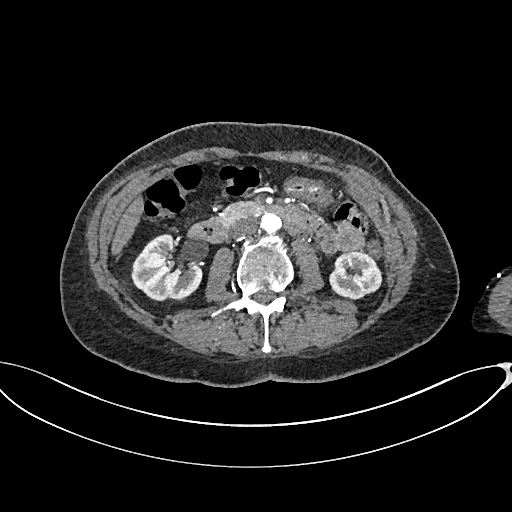
Arterial-phase contrast-enhanced abdominal CT, axial slice 359 of 665 (counted from the lowest slice); tube voltage 100 kVp, convolution kernel I26f; slices 1.00 mm thick, 0.828 mm per pixel.
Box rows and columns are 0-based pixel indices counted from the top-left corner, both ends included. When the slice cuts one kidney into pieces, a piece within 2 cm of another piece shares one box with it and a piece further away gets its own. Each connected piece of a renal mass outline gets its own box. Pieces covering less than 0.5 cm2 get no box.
Boxed on this slice (two kidney boxes), listed by box centre from the image's left to its right: (1) Box rows 233–301, columns 131–202: right kidney (outlined area 3,421 px, about 23.5 cm2). (2) Left kidney, box rows 252–299, columns 329–382 (outlined area 1,986 px, about 13.6 cm2). This slice carries no renal mass outline.